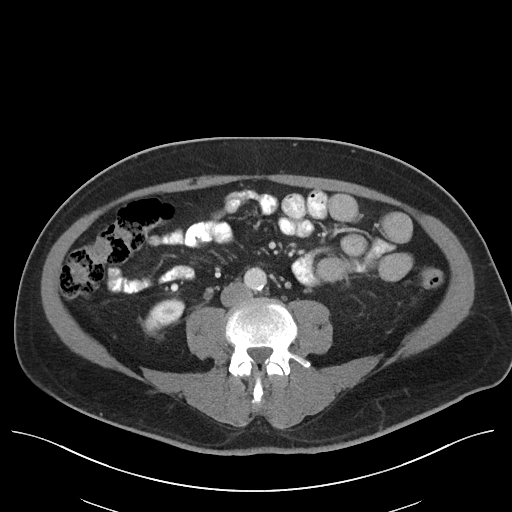
Arterial-phase contrast-enhanced abdominal CT, axial slice 51 of 96 (counted from the lowest slice); tube voltage 120 kVp, convolution kernel I40f; slices 5.00 mm thick, 0.840 mm per pixel.
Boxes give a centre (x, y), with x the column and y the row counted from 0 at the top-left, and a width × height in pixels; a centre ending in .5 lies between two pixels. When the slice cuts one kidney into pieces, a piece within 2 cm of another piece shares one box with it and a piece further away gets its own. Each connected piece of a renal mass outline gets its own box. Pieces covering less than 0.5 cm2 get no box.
Right kidney in a box with centre (163.5, 315.5), 42 × 36 pixels (outlined area 882 px, about 6.2 cm2). No renal mass outline on this slice.